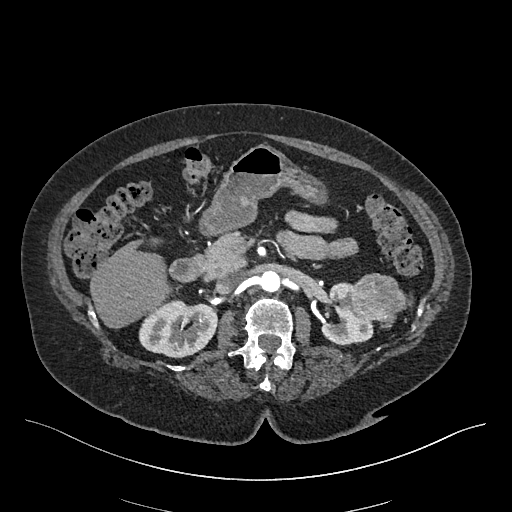
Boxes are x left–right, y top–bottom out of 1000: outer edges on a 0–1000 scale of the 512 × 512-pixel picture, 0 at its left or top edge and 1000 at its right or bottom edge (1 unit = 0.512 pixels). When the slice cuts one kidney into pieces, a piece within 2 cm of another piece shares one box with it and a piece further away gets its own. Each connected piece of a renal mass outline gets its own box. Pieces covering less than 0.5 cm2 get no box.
This is axial slice 270 of 548 (slice 1 is the lowest) of an arterial-phase abdominal CT with contrast; each pixel is 0.852 mm and the slice is 1.00 mm thick. Two kidney boxes and one renal mass box on this slice; by box centre, from the image's left to its right: (1) Box x 271–428, y 584–699 out of 1000: right kidney (outlined area 3,542 px, about 25.7 cm2). (2) Left kidney at x 625–730, y 551–674 out of 1000 (outlined area 1,923 px, about 13.9 cm2). (3) Left renal mass, box x 684–795, y 533–643 out of 1000 (outlined area 2,316 px, about 16.8 cm2).
Scan settings: 120 kVp, I26f reconstruction kernel.